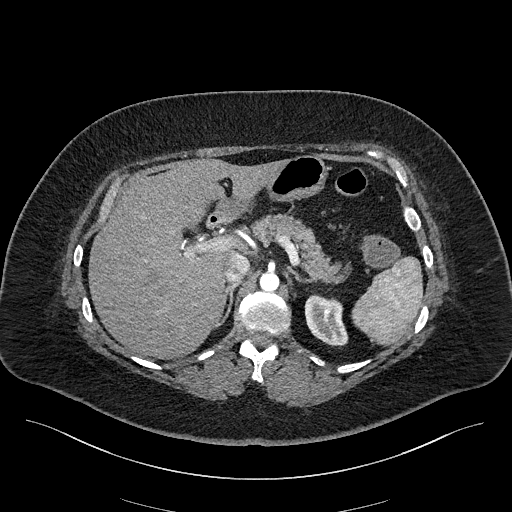
Abdominal CT with intravenous contrast, arterial phase, axial plane, 100 kVp, kernel I40f. Slice 155/270 from the bottom of the scan; thickness 2.00 mm; pixel size 0.855 mm.
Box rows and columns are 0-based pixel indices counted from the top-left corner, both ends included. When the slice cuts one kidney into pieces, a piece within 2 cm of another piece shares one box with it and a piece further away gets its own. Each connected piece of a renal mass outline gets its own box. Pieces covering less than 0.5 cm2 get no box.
Box rows 294–346, columns 304–348: left kidney (outlined area 1,692 px, about 12.4 cm2). No renal mass outline on this slice.